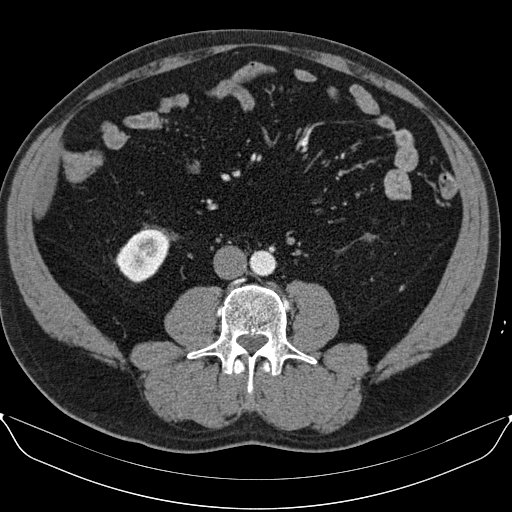
Abdominal CT with intravenous contrast, arterial phase, axial plane, 130 kVp, kernel B30s. Slice 29/96 from the bottom of the scan; thickness 3.00 mm; pixel size 0.781 mm.
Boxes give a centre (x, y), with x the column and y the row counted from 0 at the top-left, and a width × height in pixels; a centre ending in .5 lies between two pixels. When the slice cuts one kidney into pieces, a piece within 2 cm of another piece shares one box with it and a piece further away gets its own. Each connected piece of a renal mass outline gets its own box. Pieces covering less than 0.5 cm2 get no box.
Right kidney in a box with centre (142, 255.5), 55 × 54 pixels (outlined area 2,048 px, about 12.5 cm2). This slice carries no renal mass outline.